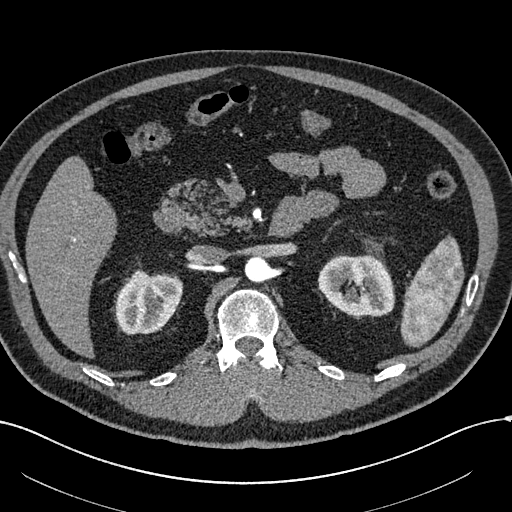
Abdominal CT with intravenous contrast, arterial phase, axial plane, 120 kVp, kernel I30f. Slice 385/602 from the bottom of the scan; thickness 1.00 mm; pixel size 0.799 mm.
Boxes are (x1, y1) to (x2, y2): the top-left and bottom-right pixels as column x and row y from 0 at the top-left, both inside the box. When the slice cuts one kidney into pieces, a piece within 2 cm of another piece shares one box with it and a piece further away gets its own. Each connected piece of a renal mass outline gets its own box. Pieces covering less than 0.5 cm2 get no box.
Boxed on this slice (two kidney boxes), listed by box centre from the image's left to its right: (1) Right kidney, box (115, 269) to (183, 334) (outlined area 3,364 px, about 21.5 cm2). (2) Left kidney from (317, 254) to (394, 316) (outlined area 3,838 px, about 24.5 cm2). No renal mass outline on this slice.